Arterial-phase contrast-enhanced abdominal CT, axial slice 494 of 591 (counted from the lowest slice); tube voltage 140 kVp, convolution kernel I30f; slices 1.00 mm thick, 0.703 mm per pixel.
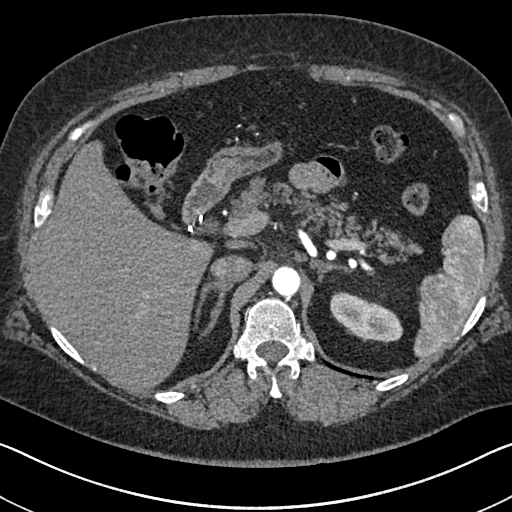
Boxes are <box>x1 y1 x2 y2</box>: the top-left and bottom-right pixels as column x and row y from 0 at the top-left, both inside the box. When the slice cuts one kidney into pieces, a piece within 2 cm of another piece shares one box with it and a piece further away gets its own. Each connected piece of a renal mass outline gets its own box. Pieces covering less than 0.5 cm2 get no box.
Left kidney: <box>330 292 403 343</box> (outlined area 2,481 px, about 12.3 cm2). No renal mass outline on this slice.